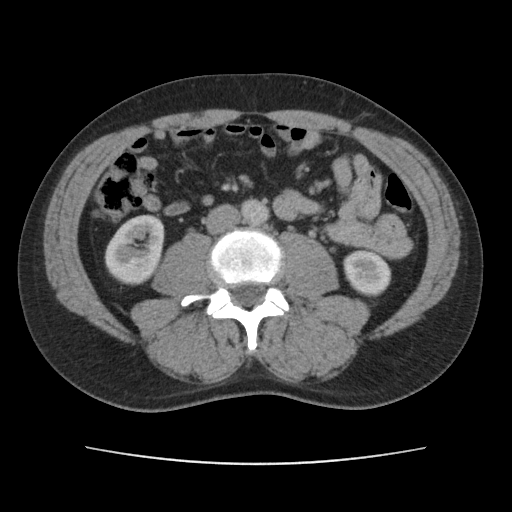
Arterial-phase contrast-enhanced abdominal CT, axial slice 57 of 101 (counted from the lowest slice); tube voltage 120 kVp, convolution kernel FC14; slices 5.00 mm thick, 0.755 mm per pixel.
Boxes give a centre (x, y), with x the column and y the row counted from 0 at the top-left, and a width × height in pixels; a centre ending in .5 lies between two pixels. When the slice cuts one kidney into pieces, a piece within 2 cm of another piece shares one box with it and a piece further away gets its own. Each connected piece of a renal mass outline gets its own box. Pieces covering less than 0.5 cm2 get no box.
Two boxes on this slice (two kidney boxes), listed by box centre from the image's left to its right. (1) Right kidney in a box with centre (134, 249.5), 61 × 72 pixels (outlined area 3,251 px, about 18.5 cm2). (2) Left kidney, box centre (367, 273.5), 49 × 48 pixels (outlined area 1,770 px, about 10.1 cm2). This slice carries no renal mass outline.